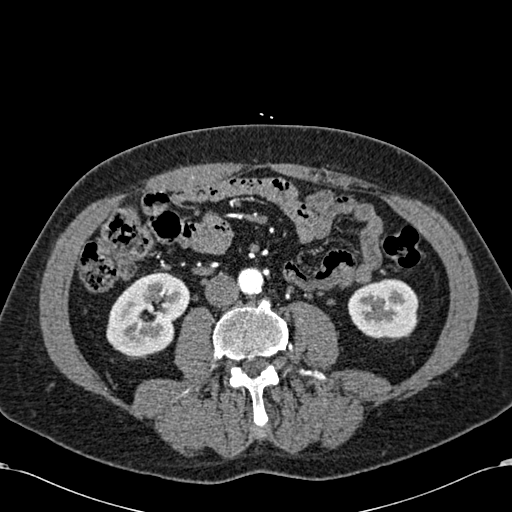
Axial slice 256 of 581 of a contrast-enhanced abdominal CT in the arterial phase (slice 1 is the lowest), 120 kVp, kernel B30f; 1.00 mm slice thickness and 0.713 mm pixels.
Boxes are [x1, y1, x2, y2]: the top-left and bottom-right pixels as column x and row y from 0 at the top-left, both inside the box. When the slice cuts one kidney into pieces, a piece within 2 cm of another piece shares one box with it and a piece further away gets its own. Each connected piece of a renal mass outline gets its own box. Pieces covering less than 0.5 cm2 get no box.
Two boxes on this slice (two kidney boxes), listed by box centre from the image's left to its right. (1) Right kidney, box [106, 271, 190, 357] (outlined area 5,056 px, about 25.7 cm2). (2) Left kidney at [347, 279, 418, 338] (outlined area 3,443 px, about 17.5 cm2). This slice carries no renal mass outline.